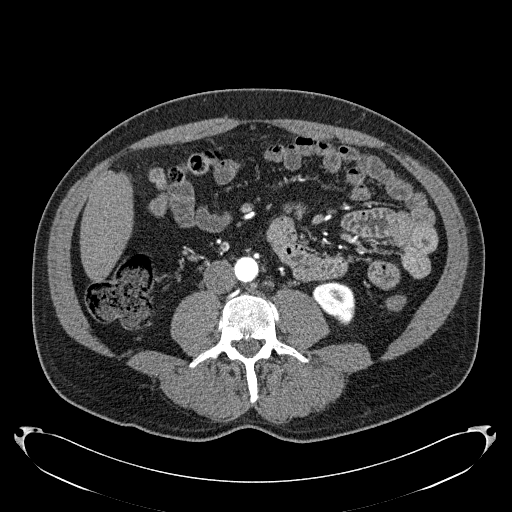
Axial slice 68 of 279 of a contrast-enhanced abdominal CT in the arterial phase (slice 1 is the lowest), 120 kVp, kernel B31f; 2.00 mm slice thickness and 0.824 mm pixels.
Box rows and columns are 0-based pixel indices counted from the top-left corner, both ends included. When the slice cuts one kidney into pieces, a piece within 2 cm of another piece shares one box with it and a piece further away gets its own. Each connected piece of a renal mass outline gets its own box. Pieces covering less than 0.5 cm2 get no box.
Box rows 281–325, columns 312–355: left kidney (outlined area 1,345 px, about 9.1 cm2). No renal mass is outlined on this slice.